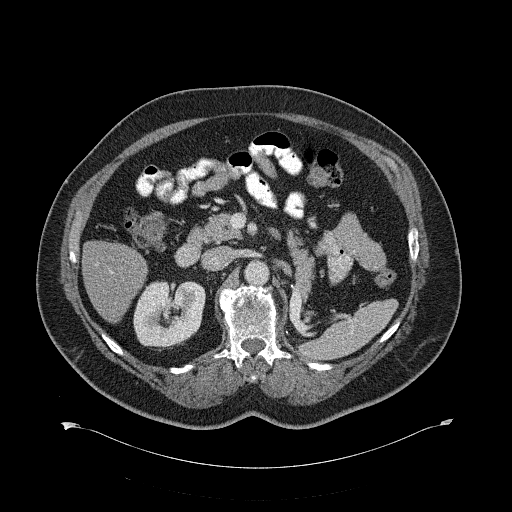
One axial slice (392 of 734, counting up from the lowest) of a contrast-enhanced abdominal CT acquired with 120 kVp, kernel B31f; each pixel is 0.971 mm and the slice is 2.00 mm thick.
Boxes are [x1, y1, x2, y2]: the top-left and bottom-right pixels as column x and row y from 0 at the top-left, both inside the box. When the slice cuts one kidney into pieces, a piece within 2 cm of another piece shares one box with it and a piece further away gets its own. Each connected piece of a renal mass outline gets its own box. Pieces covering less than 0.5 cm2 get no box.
Right kidney at [133, 280, 204, 351] (outlined area 4,055 px, about 38.2 cm2). No renal mass outline on this slice.